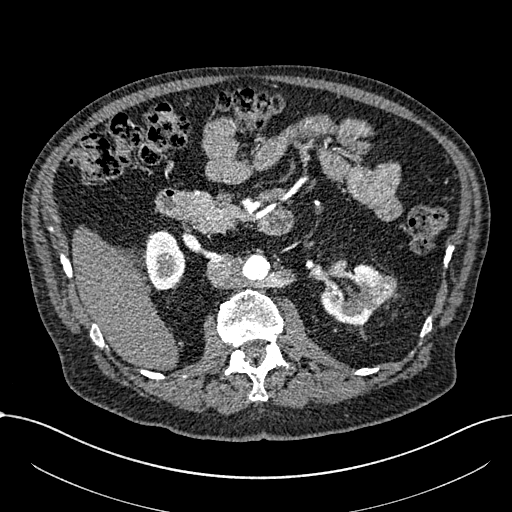
Axial slice 409 of 1059 of a contrast-enhanced abdominal CT in the arterial phase (slice 1 is the lowest), 100 kVp, kernel I30f; 1.00 mm slice thickness and 0.811 mm pixels.
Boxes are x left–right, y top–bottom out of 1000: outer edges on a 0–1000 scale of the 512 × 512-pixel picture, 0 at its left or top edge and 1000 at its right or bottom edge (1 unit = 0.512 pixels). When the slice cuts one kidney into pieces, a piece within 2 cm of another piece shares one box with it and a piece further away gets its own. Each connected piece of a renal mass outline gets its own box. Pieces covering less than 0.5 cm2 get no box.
Boxed on this slice (two kidney boxes and one renal mass box), listed by box centre from the image's left to its right: (1) Box x 283–363, y 447–568 out of 1000: right part of the midline-crossing kidney (outlined area 1,886 px, about 12.4 cm2). (2) Left part of the midline-crossing kidney at x 625–752, y 514–637 out of 1000 (outlined area 2,479 px, about 16.3 cm2). (3) Renal mass at x 729–777, y 537–596 out of 1000 (outlined area 507 px, about 3.3 cm2).